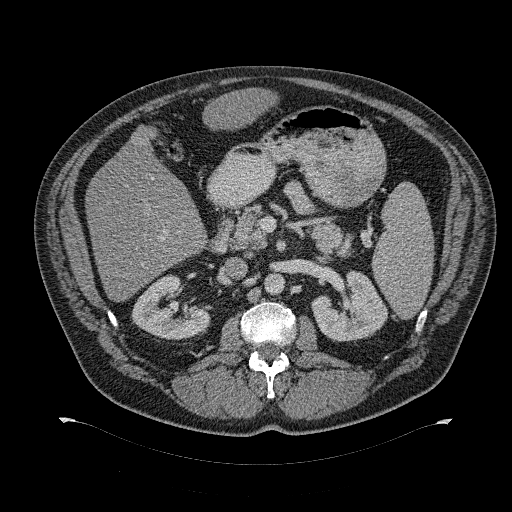
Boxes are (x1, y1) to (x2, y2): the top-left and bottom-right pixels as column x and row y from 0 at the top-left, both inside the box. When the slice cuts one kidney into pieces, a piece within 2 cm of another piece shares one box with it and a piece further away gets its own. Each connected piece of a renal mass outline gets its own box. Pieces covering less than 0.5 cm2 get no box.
This is axial slice 192 of 274 (slice 1 is the lowest) of an abdominal CT with contrast; each pixel is 0.977 mm and the slice is 2.00 mm thick. Two boxes on this slice (two kidney boxes), listed by box centre from the image's left to its right. (1) Right kidney from (131, 274) to (210, 339) (outlined area 3,291 px, about 31.4 cm2). (2) Left kidney from (311, 271) to (388, 342) (outlined area 3,667 px, about 35.0 cm2). No renal mass outline on this slice.
Acquired at 120 kVp and reconstructed with the B31f kernel.